Arterial-phase contrast-enhanced abdominal CT, axial slice 119 of 164 (counted from the lowest slice); tube voltage 130 kVp, convolution kernel B30s; slices 3.00 mm thick, 0.664 mm per pixel.
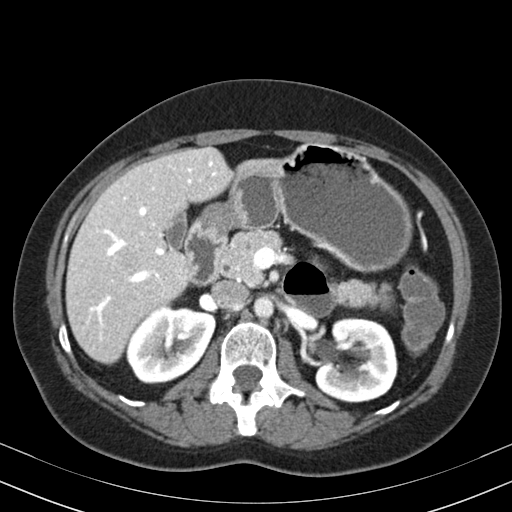
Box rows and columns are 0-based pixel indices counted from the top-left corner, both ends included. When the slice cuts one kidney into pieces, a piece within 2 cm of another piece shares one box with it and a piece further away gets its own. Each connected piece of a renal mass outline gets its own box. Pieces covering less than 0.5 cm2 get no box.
Two boxes on this slice (two kidney boxes), listed by box centre from the image's left to its right. (1) Box rows 304–383, columns 125–215: right kidney (outlined area 5,167 px, about 22.8 cm2). (2) Left kidney, box rows 317–402, columns 315–397 (outlined area 5,514 px, about 24.3 cm2). This slice carries no renal mass outline.